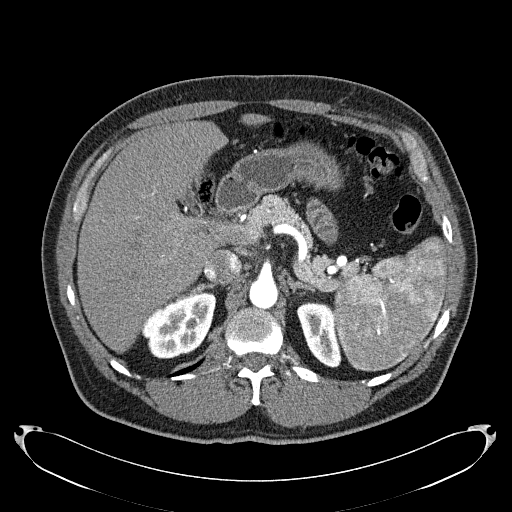
Axial slice 159 of 279 of a contrast-enhanced abdominal CT in the arterial phase (slice 1 is the lowest), 120 kVp, kernel B31f; 2.00 mm slice thickness and 0.824 mm pixels.
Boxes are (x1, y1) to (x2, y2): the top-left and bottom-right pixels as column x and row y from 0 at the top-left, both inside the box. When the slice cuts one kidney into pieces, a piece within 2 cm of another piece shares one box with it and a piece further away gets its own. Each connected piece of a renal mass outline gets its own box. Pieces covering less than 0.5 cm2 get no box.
Two kidney boxes on this slice; by box centre, from the image's left to its right: (1) Box (140, 292) to (216, 358): right kidney (outlined area 3,492 px, about 23.7 cm2). (2) Box (296, 302) to (341, 367): left kidney (outlined area 2,003 px, about 13.6 cm2). No renal mass outline on this slice.